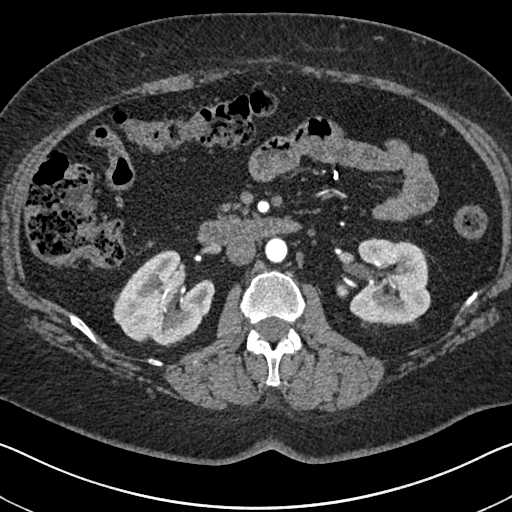
One axial slice (392 of 591, counting up from the lowest) of an arterial-phase abdominal CT acquired with 140 kVp, kernel I30f; each pixel is 0.703 mm and the slice is 1.00 mm thick.
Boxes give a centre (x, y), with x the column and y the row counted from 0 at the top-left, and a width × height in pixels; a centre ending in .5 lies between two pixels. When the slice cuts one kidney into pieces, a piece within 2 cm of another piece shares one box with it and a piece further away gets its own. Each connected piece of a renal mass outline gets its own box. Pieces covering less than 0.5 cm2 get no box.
Boxed on this slice (two kidney boxes), listed by box centre from the image's left to its right: (1) Box centre (164, 298), 103 × 97 pixels: right kidney (outlined area 6,467 px, about 32.0 cm2). (2) Left kidney in a box with centre (383, 281), 95 × 87 pixels (outlined area 5,801 px, about 28.7 cm2). No renal mass outline on this slice.